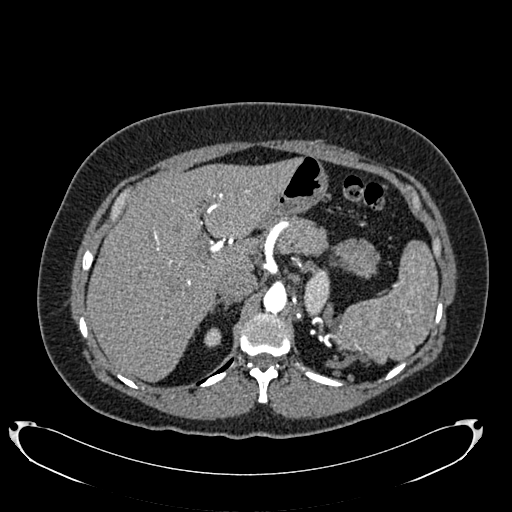
Axial slice 539 of 634 of a contrast-enhanced abdominal CT in the arterial phase (slice 1 is the lowest), 120 kVp, kernel B20f; 1.00 mm slice thickness and 0.838 mm pixels.
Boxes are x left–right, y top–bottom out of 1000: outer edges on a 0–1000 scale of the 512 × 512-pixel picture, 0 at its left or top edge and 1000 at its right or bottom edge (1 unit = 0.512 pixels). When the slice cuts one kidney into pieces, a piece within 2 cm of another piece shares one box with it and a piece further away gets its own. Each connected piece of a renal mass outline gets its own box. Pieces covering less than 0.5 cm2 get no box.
Boxed on this slice (two kidney boxes), listed by box centre from the image's left to its right: (1) Box x 398–434, y 639–680 out of 1000: right kidney (outlined area 275 px, about 1.9 cm2). (2) Left kidney at x 592–646, y 527–623 out of 1000 (outlined area 916 px, about 6.4 cm2). No renal mass is outlined on this slice.